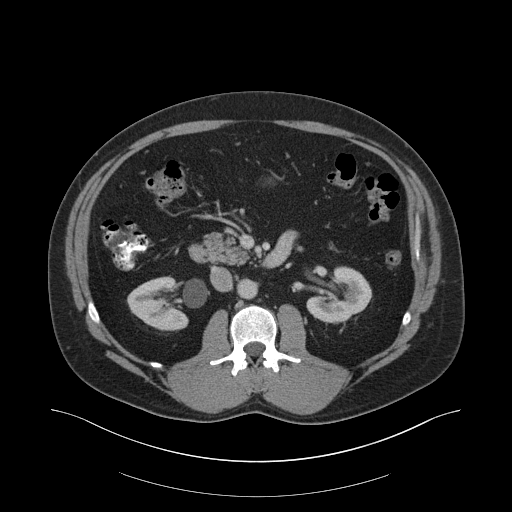
Abdominal CT with intravenous contrast, arterial phase, axial plane, 140 kVp, kernel B30f. Slice 107/159 from the bottom of the scan; thickness 3.00 mm; pixel size 0.977 mm.
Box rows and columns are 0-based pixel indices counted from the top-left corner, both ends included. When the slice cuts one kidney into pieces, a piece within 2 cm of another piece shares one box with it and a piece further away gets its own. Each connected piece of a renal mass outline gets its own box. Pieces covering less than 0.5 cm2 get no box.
Two boxes on this slice (two kidney boxes), listed by box centre from the image's left to its right. (1) Right kidney, box rows 276–330, columns 127–188 (outlined area 2,390 px, about 22.8 cm2). (2) Box rows 266–322, columns 306–371: left kidney (outlined area 2,535 px, about 24.2 cm2). No renal mass outline on this slice.